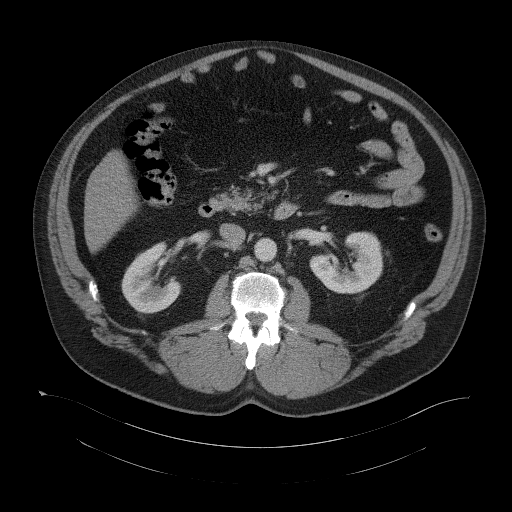
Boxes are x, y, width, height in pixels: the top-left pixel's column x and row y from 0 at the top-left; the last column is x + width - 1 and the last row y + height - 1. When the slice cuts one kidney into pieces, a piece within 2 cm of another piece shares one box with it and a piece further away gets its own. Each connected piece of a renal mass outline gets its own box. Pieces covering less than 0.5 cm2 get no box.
Slice 66/104 of a contrast-enhanced abdominal CT, counting up from the lowest; pixel size 0.977 mm, slice thickness 5.00 mm. Boxed on this slice (two kidney boxes), listed by box centre from the image's left to its right: (1) Right kidney at x 121, y 241, width 61, height 73 (outlined area 2,807 px, about 26.8 cm2). (2) Left kidney, box x 309, y 231, width 75, height 63 (outlined area 3,048 px, about 29.1 cm2). No renal mass is outlined on this slice.
Scan settings: 120 kVp, B41f reconstruction kernel.